Abdominal CT with intravenous contrast, arterial phase, axial plane, 120 kVp, kernel B30f. Slice 435/532 from the bottom of the scan; thickness 1.00 mm; pixel size 0.713 mm.
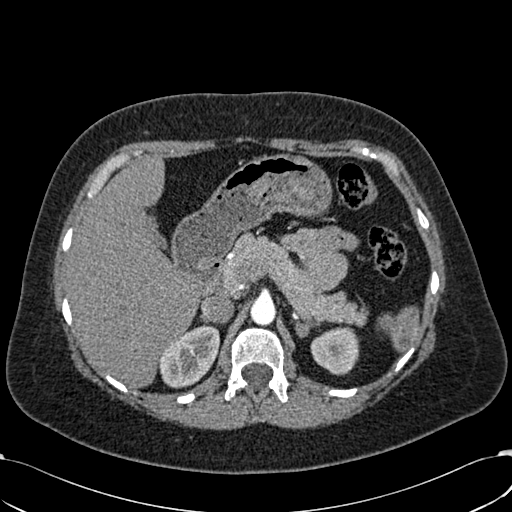
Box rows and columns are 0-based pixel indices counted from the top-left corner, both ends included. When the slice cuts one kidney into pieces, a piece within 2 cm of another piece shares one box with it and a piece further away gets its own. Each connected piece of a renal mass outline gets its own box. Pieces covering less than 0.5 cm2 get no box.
Boxed on this slice (two kidney boxes), listed by box centre from the image's left to its right: (1) Box rows 324–388, columns 159–219: right kidney (outlined area 2,733 px, about 13.9 cm2). (2) Left kidney at rows 326–375, columns 310–358 (outlined area 1,814 px, about 9.2 cm2). This slice carries no renal mass outline.